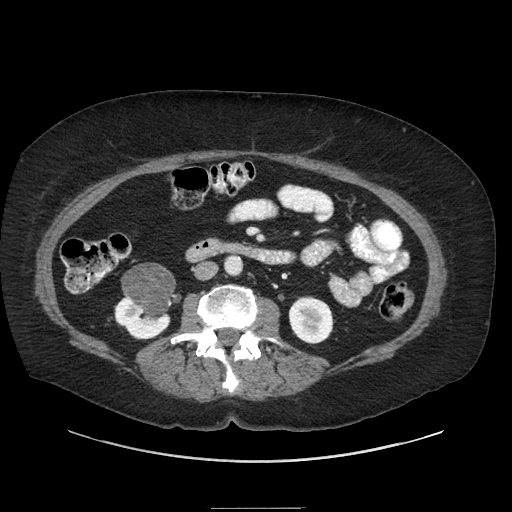
One axial slice (114 of 186, counting up from the lowest) of a contrast-enhanced abdominal CT acquired with 120 kVp, kernel STANDARD; each pixel is 0.850 mm and the slice is 2.50 mm thick.
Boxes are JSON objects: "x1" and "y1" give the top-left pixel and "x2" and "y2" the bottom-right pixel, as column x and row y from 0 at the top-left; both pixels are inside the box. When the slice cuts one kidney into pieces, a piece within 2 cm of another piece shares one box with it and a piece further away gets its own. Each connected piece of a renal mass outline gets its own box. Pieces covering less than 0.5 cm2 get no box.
Three boxes on this slice (two kidney boxes and one renal mass box), listed by box centre from the image's left to its right. (1) Right kidney at {"x1": 114, "y1": 296, "x2": 170, "y2": 339} (outlined area 1,375 px, about 9.9 cm2). (2) Right renal mass, box {"x1": 121, "y1": 263, "x2": 181, "y2": 316} (outlined area 2,279 px, about 16.5 cm2). (3) Left kidney at {"x1": 288, "y1": 296, "x2": 334, "y2": 344} (outlined area 1,735 px, about 12.5 cm2).